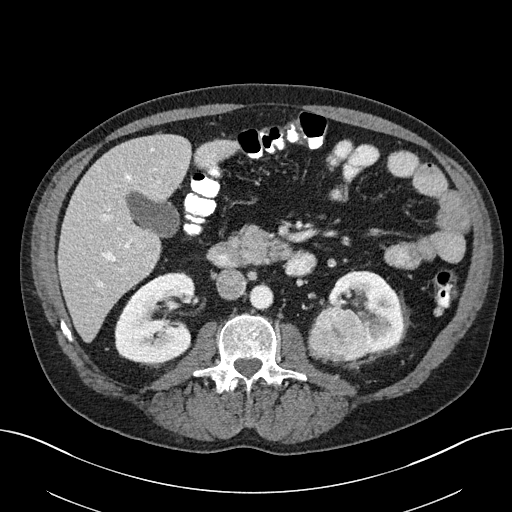
Axial slice 107 of 163 of a contrast-enhanced abdominal CT (slice 1 is the lowest), 100 kVp, kernel I40f; 3.00 mm slice thickness and 0.799 mm pixels.
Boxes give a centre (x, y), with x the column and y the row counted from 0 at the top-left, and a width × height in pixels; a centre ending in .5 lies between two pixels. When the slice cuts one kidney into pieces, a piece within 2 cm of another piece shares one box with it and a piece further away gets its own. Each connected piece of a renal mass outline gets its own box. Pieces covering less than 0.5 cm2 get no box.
Two kidney boxes and one renal mass box on this slice; by box centre, from the image's left to its right: (1) Right kidney, box centre (155, 318), 81 × 93 pixels (outlined area 5,331 px, about 34.0 cm2). (2) Left renal mass in a box with centre (337.5, 334.5), 60 × 56 pixels (outlined area 2,689 px, about 17.2 cm2). (3) Left kidney, box centre (364, 313.5), 83 × 86 pixels (outlined area 3,907 px, about 24.9 cm2).